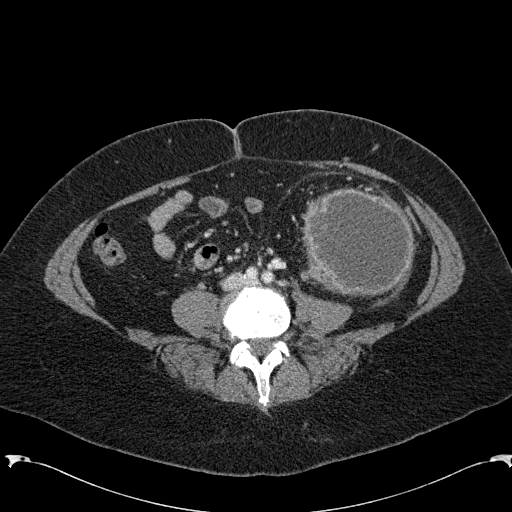
Arterial-phase contrast-enhanced abdominal CT, axial slice 38 of 285 (counted from the lowest slice); tube voltage 120 kVp, convolution kernel B31f; slices 2.00 mm thick, 0.762 mm per pixel.
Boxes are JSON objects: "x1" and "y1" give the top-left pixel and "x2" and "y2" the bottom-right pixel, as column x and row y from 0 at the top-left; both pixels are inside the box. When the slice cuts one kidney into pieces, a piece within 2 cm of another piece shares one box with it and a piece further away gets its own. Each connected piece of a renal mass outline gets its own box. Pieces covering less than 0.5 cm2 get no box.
Left renal mass, box {"x1": 301, "y1": 188, "x2": 415, "y2": 296} (outlined area 10,103 px, about 58.6 cm2); this slice has no kidney outline, though on another slice the same outlined renal mass lies within 1 cm of the kidney.